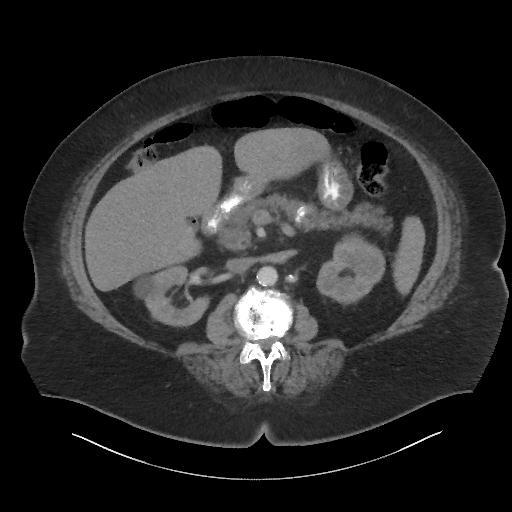
Abdominal CT with intravenous contrast, axial plane, 140 kVp, kernel I44f. Slice 38/86 from the bottom of the scan; thickness 3.00 mm; pixel size 0.977 mm.
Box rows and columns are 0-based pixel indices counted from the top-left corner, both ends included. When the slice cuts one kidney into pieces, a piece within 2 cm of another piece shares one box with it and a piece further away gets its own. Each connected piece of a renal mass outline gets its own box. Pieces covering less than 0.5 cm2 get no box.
Boxed on this slice (two kidney boxes), listed by box centre from the image's left to its right: (1) Box rows 267–326, columns 134–210: right kidney (outlined area 2,859 px, about 27.3 cm2). (2) Left kidney, box rows 235–304, columns 316–385 (outlined area 3,324 px, about 31.7 cm2). This slice carries no renal mass outline.